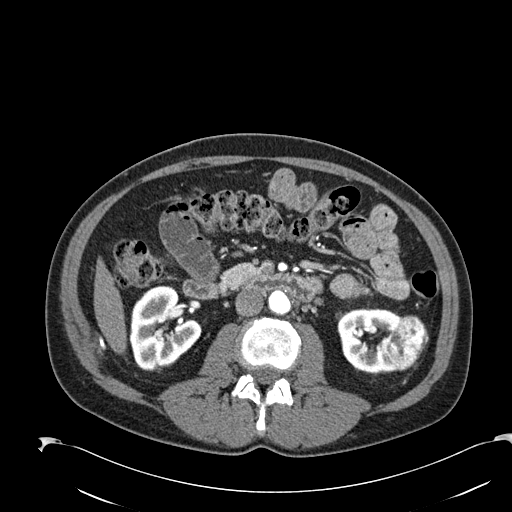
Abdominal CT with intravenous contrast, arterial phase, axial plane, 120 kVp, kernel B30f. Slice 101/274 from the bottom of the scan; thickness 2.00 mm; pixel size 0.809 mm.
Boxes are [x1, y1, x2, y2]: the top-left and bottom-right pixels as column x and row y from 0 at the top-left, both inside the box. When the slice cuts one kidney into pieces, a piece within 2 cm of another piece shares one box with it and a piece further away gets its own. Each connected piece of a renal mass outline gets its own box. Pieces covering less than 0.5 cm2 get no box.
Two kidney boxes and one renal mass box on this slice; by box centre, from the image's left to its right: (1) Box [129, 285, 201, 369]: right kidney (outlined area 4,350 px, about 28.4 cm2). (2) Left kidney at [337, 307, 400, 375] (outlined area 2,848 px, about 18.6 cm2). (3) Left renal mass at [381, 315, 428, 371] (outlined area 1,809 px, about 11.8 cm2).